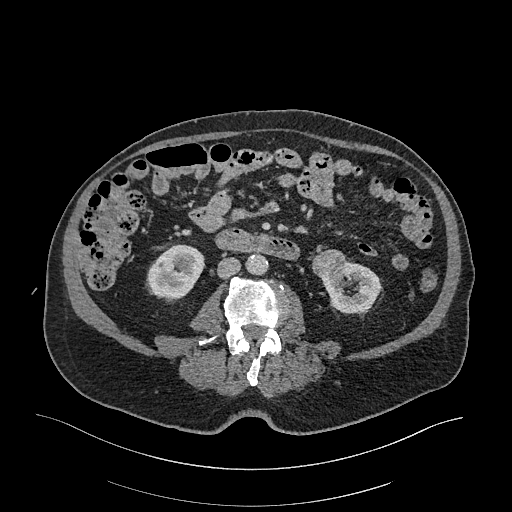
One axial slice (101 of 470, counting up from the lowest) of an arterial-phase abdominal CT acquired with 120 kVp, kernel I26f; each pixel is 0.938 mm and the slice is 1.00 mm thick.
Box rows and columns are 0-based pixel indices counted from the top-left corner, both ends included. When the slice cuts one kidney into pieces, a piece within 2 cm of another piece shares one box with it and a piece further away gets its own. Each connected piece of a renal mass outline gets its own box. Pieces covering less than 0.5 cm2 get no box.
Three boxes on this slice (two kidney boxes and one renal mass box), listed by box centre from the image's left to its right. (1) Box rows 244–301, columns 146–205: right kidney (outlined area 2,421 px, about 21.3 cm2). (2) Left renal mass, box rows 249–281, columns 312–345 (outlined area 871 px, about 7.7 cm2). (3) Left kidney at rows 260–314, columns 321–379 (outlined area 2,027 px, about 17.8 cm2).